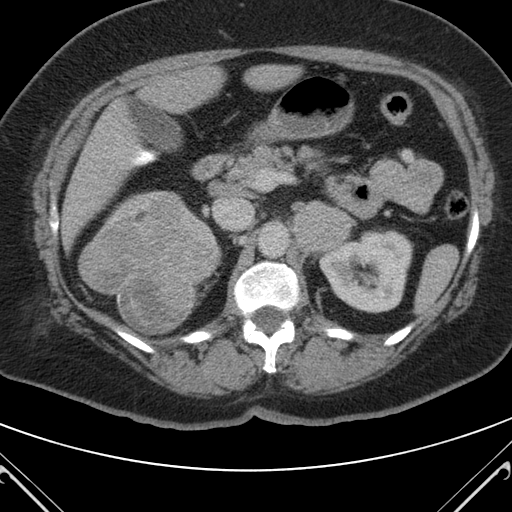
One axial slice (69 of 98, counting up from the lowest) of an arterial-phase abdominal CT acquired with 120 kVp, kernel B; each pixel is 0.703 mm and the slice is 5.00 mm thick.
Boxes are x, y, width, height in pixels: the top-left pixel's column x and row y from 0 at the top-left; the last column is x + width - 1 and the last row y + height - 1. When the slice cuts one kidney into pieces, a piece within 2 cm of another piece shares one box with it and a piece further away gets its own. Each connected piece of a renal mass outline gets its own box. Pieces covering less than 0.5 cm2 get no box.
Two boxes on this slice (one kidney box and one renal mass box), listed by box centre from the image's left to its right. (1) Box x 78, y 190, width 145, height 146: right renal mass (outlined area 13,914 px, about 68.8 cm2); it sits over 1 cm from every kidney outline on this slice, but the same outlined renal mass comes within 1 cm of the kidney on another slice. (2) Left kidney, box x 319, y 228, width 95, height 86 (outlined area 5,766 px, about 28.5 cm2).